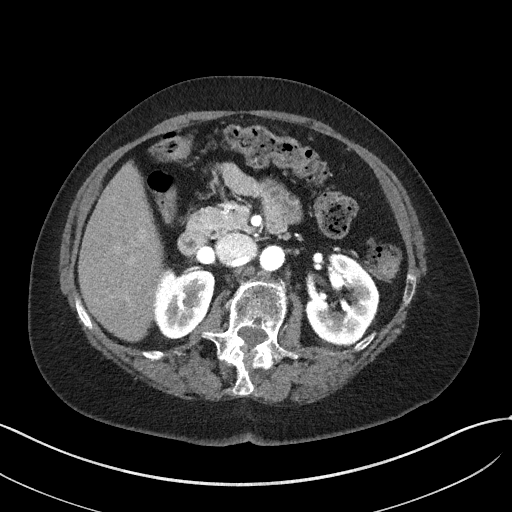
One axial slice (29 of 50, counting up from the lowest) of an arterial-phase abdominal CT acquired with 100 kVp, kernel I41f; each pixel is 0.758 mm and the slice is 3.00 mm thick.
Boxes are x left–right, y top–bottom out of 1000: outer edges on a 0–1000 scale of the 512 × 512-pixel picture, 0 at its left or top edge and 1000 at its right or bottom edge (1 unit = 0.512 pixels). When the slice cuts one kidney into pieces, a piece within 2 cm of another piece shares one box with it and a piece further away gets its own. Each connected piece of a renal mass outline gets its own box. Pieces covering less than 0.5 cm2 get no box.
Two kidney boxes on this slice; by box centre, from the image's left to its right: (1) Right kidney at x 301–420, y 527–664 out of 1000 (outlined area 3,138 px, about 18.0 cm2). (2) Left kidney, box x 600–742, y 496–676 out of 1000 (outlined area 4,573 px, about 26.3 cm2). No renal mass is outlined on this slice.